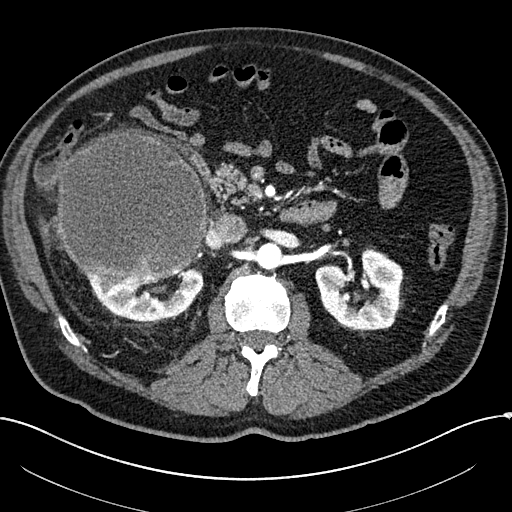
Abdominal CT with intravenous contrast, arterial phase, axial plane, 100 kVp, kernel I30f. Slice 124/304 from the bottom of the scan; thickness 2.00 mm; pixel size 0.809 mm.
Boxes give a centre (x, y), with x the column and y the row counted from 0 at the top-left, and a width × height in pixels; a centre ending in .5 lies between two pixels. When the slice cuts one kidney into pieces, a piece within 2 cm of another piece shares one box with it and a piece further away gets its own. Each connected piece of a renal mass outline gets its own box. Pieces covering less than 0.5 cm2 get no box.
Three boxes on this slice (two kidney boxes and one renal mass box), listed by box centre from the image's left to its right. (1) Box centre (131.5, 205), 152 × 155 pixels: right renal mass (outlined area 18,911 px, about 123.6 cm2). (2) Right kidney, box centre (143.5, 294), 120 × 53 pixels (outlined area 3,614 px, about 23.6 cm2). (3) Left kidney, box centre (359, 289), 89 × 83 pixels (outlined area 4,980 px, about 32.6 cm2).